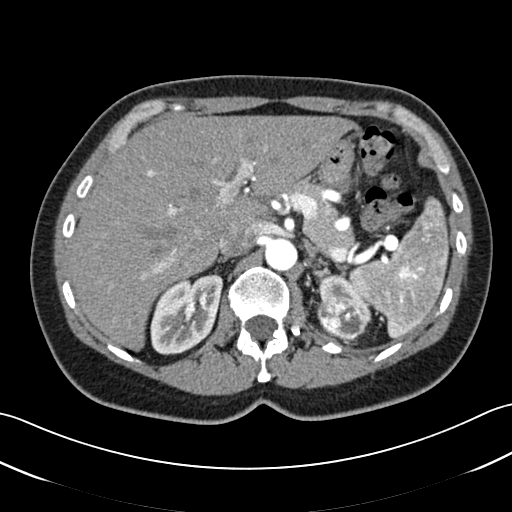
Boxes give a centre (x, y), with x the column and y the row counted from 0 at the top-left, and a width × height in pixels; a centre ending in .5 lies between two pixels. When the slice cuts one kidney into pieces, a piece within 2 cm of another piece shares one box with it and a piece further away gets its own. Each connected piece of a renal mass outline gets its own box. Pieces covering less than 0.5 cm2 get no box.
This is axial slice 37 of 52 (slice 1 is the lowest) of an arterial-phase abdominal CT with contrast; each pixel is 0.678 mm and the slice is 3.00 mm thick. Two kidney boxes and one renal mass box on this slice; by box centre, from the image's left to its right: (1) Box centre (186, 314), 73 × 83 pixels: right kidney (outlined area 4,265 px, about 19.6 cm2). (2) Left renal mass, box centre (341, 318), 49 × 45 pixels (outlined area 1,649 px, about 7.6 cm2). (3) Left kidney in a box with centre (344.5, 300), 54 × 53 pixels (outlined area 1,006 px, about 4.6 cm2).
Tube voltage 120 kVp; convolution kernel B30f.